Abdominal CT with intravenous contrast, arterial phase, axial plane, 120 kVp, kernel B30f. Slice 452/581 from the bottom of the scan; thickness 1.00 mm; pixel size 0.713 mm.
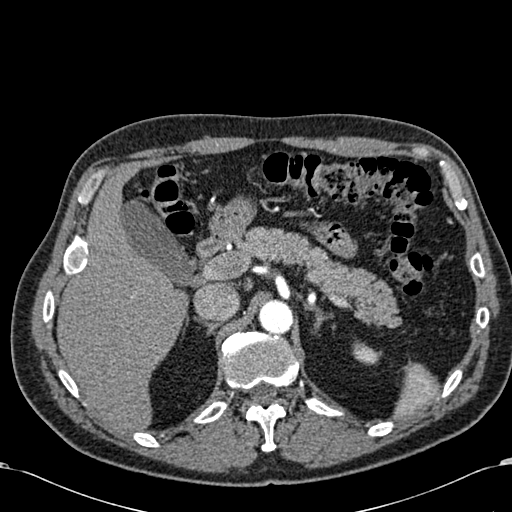
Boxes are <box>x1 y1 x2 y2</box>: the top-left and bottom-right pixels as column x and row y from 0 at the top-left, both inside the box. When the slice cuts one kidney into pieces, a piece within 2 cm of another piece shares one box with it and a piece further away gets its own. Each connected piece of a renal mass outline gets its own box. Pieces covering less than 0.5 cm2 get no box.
Left kidney at <box>352 340 377 364</box> (outlined area 439 px, about 2.2 cm2). No renal mass outline on this slice.